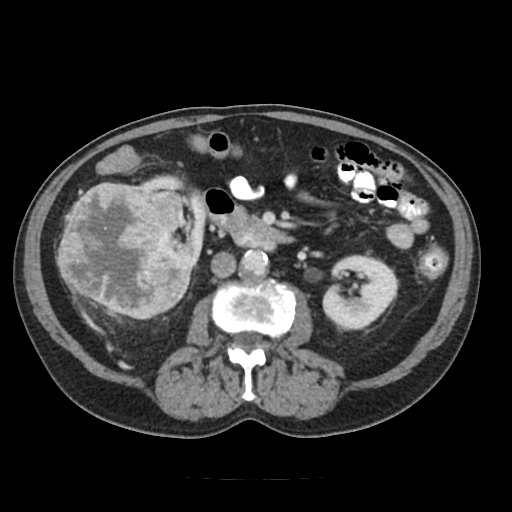
Abdominal CT with intravenous contrast, axial plane, 120 kVp, kernel FC18. Slice 57/91 from the bottom of the scan; thickness 5.00 mm; pixel size 0.766 mm.
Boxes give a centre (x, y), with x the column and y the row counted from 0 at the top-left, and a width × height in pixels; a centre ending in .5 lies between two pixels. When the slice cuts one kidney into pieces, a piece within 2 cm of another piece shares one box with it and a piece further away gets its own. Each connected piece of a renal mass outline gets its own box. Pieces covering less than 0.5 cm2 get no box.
Three boxes on this slice (two kidney boxes and one renal mass box), listed by box centre from the image's left to its right. (1) Box centre (125.5, 250.5), 136 × 138 pixels: right renal mass (outlined area 14,450 px, about 84.8 cm2). (2) Box centre (170, 219), 73 × 91 pixels: right kidney (outlined area 1,949 px, about 11.4 cm2). (3) Box centre (359.5, 292.5), 76 × 76 pixels: left kidney (outlined area 4,207 px, about 24.7 cm2).